One axial slice (42 of 52, counting up from the lowest) of an arterial-phase abdominal CT acquired with 120 kVp, kernel B30f; each pixel is 0.678 mm and the slice is 3.00 mm thick.
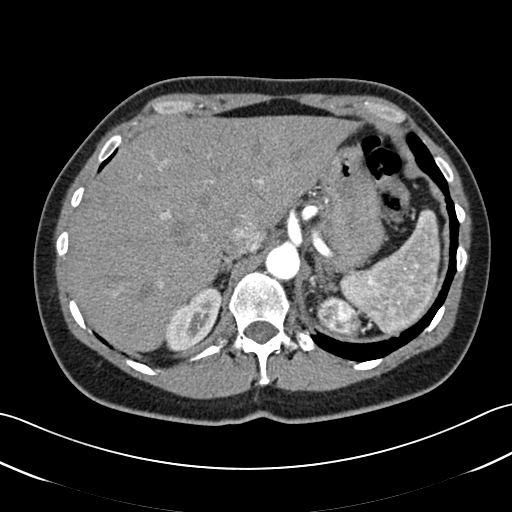
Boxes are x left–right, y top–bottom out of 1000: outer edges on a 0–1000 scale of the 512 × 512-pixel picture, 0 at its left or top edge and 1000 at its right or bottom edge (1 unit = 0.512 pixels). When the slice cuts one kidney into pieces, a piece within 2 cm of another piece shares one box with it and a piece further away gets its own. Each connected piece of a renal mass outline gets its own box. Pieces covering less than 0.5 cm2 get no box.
Boxed on this slice (one kidney box and one renal mass box), listed by box centre from the image's left to its right: (1) Right kidney, box x 322–436, y 559–689 out of 1000 (outlined area 2,315 px, about 10.6 cm2). (2) Left renal mass, box x 619–707, y 578–662 out of 1000 (outlined area 1,340 px, about 6.2 cm2); it sits over 1 cm from every kidney outline on this slice, but the same outlined renal mass comes within 1 cm of the kidney on another slice.